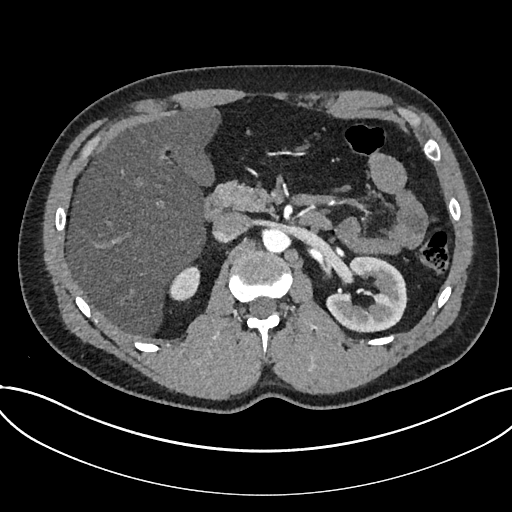
Abdominal CT with intravenous contrast, arterial phase, axial plane, 120 kVp, kernel I30f. Slice 466/735 from the bottom of the scan; thickness 1.00 mm; pixel size 0.789 mm.
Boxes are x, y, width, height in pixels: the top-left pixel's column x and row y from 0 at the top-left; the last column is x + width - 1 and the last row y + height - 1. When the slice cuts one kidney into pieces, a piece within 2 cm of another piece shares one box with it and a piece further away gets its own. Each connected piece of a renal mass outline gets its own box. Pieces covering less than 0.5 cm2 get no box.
Two boxes on this slice (two kidney boxes), listed by box centre from the image's left to its right. (1) Box x 168, y 265, width 33, height 37: kidney (outlined area 814 px, about 5.1 cm2). (2) Kidney at x 326, y 256, width 82, height 77 (outlined area 4,203 px, about 26.2 cm2). No renal mass is outlined on this slice.